Abdominal CT with intravenous contrast, arterial phase, axial plane, 100 kVp, kernel I40f. Slice 94/270 from the bottom of the scan; thickness 2.00 mm; pixel size 0.855 mm.
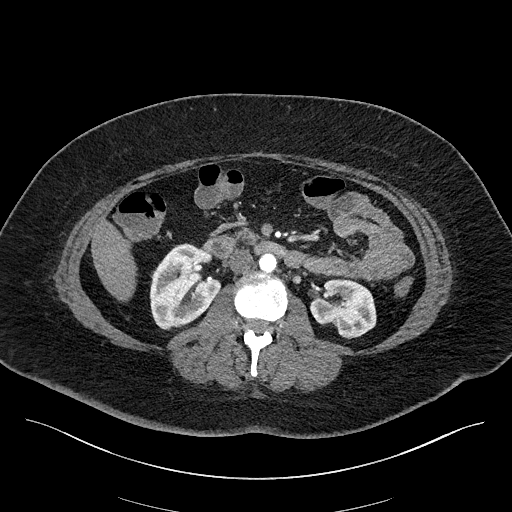
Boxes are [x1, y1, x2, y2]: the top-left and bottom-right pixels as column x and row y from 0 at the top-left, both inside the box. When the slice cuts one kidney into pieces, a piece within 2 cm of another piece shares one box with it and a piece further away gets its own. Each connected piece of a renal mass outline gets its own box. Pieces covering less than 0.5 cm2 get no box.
Two boxes on this slice (two kidney boxes), listed by box centre from the image's left to its right. (1) Box [150, 243, 221, 329]: right kidney (outlined area 4,353 px, about 31.9 cm2). (2) Left kidney at [310, 278, 376, 338] (outlined area 2,913 px, about 21.3 cm2). No renal mass outline on this slice.